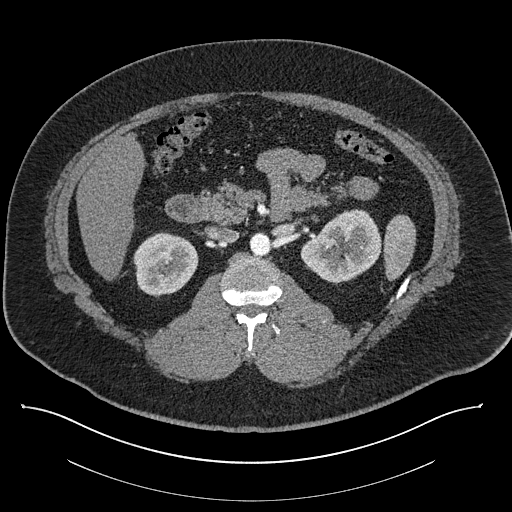
Abdominal CT with intravenous contrast, axial plane, 140 kVp, kernel I30f. Slice 509/787 from the bottom of the scan; thickness 1.00 mm; pixel size 0.910 mm.
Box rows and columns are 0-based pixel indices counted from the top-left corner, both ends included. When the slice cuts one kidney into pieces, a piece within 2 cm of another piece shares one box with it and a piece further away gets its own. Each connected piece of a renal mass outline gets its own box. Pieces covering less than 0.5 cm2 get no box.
Two kidney boxes on this slice; by box centre, from the image's left to its right: (1) Right kidney at rows 232–296, columns 133–198 (outlined area 3,227 px, about 26.7 cm2). (2) Left kidney at rows 209–284, columns 300–381 (outlined area 4,239 px, about 35.1 cm2). This slice carries no renal mass outline.